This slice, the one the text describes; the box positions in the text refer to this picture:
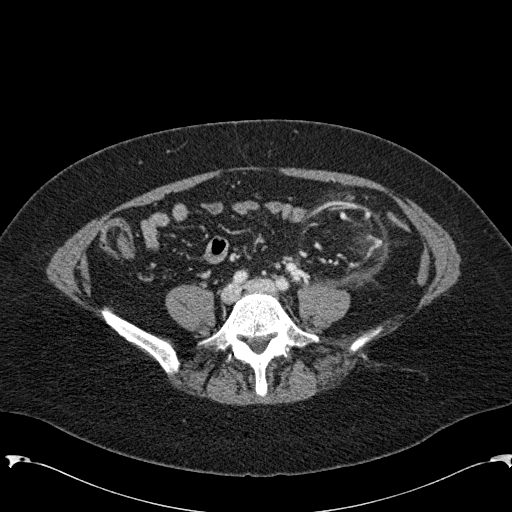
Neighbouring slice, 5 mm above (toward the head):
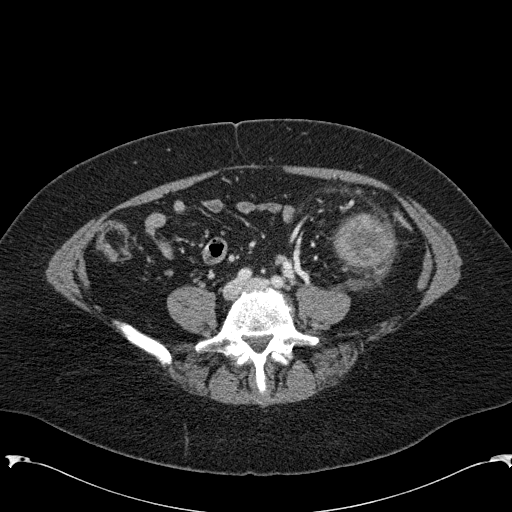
One axial slice (17 of 285, counting up from the lowest) of an arterial-phase abdominal CT acquired with 120 kVp, kernel B31f; each pixel is 0.762 mm and the slice is 2.00 mm thick.
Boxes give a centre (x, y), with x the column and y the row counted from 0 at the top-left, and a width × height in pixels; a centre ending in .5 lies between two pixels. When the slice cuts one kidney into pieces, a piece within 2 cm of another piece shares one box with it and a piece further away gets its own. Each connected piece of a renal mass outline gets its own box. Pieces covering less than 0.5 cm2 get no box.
Left renal mass in a box with centre (365.5, 243), 14 × 19 pixels (outlined area 114 px, about 0.7 cm2); no kidney is outlined on this slice, but the same outlined renal mass comes within 1 cm of the kidney on another slice. This slice is near the end of the left renal mass toward the feet, so the slice 5 mm above it is shown as well; the boxes refer to this slice only.